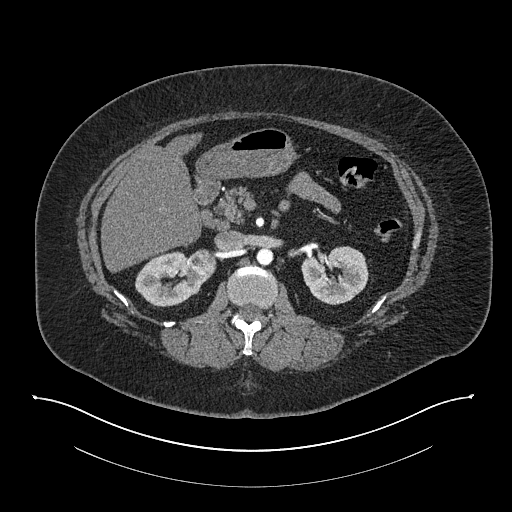
Axial slice 498 of 673 of a contrast-enhanced abdominal CT in the arterial phase (slice 1 is the lowest), 140 kVp, kernel I30f; 1.00 mm slice thickness and 0.957 mm pixels.
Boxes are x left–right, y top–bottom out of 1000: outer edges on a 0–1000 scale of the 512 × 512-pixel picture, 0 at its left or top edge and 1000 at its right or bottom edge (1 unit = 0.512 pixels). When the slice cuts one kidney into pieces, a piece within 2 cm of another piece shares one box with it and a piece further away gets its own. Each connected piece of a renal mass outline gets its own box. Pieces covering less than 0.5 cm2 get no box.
Two kidney boxes and one renal mass box on this slice; by box centre, from the image's left to its right: (1) Right kidney at x 264–418, y 490–600 out of 1000 (outlined area 2,772 px, about 25.4 cm2). (2) Box x 367–424, y 486–535 out of 1000: right renal mass (outlined area 541 px, about 5.0 cm2). (3) Left kidney at x 588–721, y 480–598 out of 1000 (outlined area 2,969 px, about 27.2 cm2).